Contrast-enhanced abdominal CT, axial slice 17 of 94 (counted from the lowest slice); tube voltage 120 kVp, convolution kernel B41f; slices 3.00 mm thick, 0.977 mm per pixel.
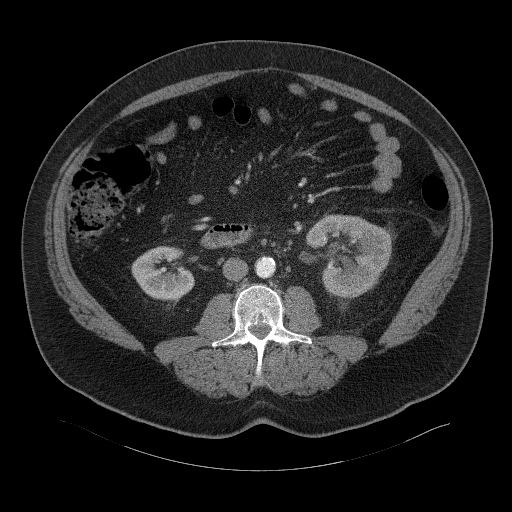
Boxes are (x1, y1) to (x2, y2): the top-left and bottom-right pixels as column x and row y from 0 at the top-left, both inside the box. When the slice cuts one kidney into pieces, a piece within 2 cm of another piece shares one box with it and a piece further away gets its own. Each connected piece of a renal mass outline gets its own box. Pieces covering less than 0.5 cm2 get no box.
Two kidney boxes on this slice; by box centre, from the image's left to its right: (1) Right kidney from (131, 246) to (194, 300) (outlined area 2,494 px, about 23.8 cm2). (2) Left kidney, box (307, 214) to (392, 299) (outlined area 5,199 px, about 49.6 cm2). This slice carries no renal mass outline.